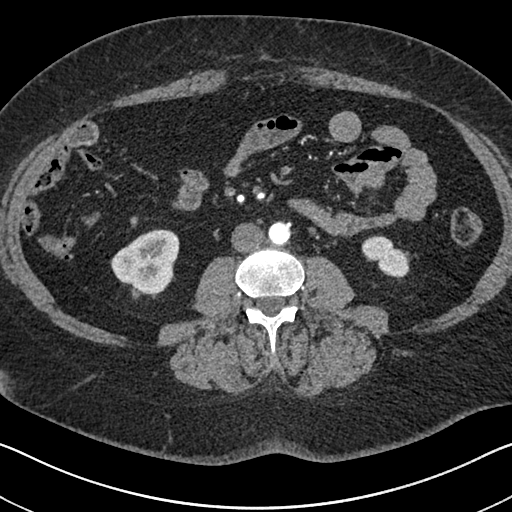
One axial slice (300 of 591, counting up from the lowest) of an arterial-phase abdominal CT acquired with 140 kVp, kernel I30f; each pixel is 0.703 mm and the slice is 1.00 mm thick.
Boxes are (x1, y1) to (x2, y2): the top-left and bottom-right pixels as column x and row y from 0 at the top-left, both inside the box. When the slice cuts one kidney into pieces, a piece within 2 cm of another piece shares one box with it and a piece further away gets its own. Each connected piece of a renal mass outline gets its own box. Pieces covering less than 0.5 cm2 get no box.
Two kidney boxes on this slice; by box centre, from the image's left to its right: (1) Right kidney from (110, 229) to (179, 299) (outlined area 3,362 px, about 16.6 cm2). (2) Left kidney from (361, 235) to (410, 280) (outlined area 1,357 px, about 6.7 cm2). No renal mass outline on this slice.